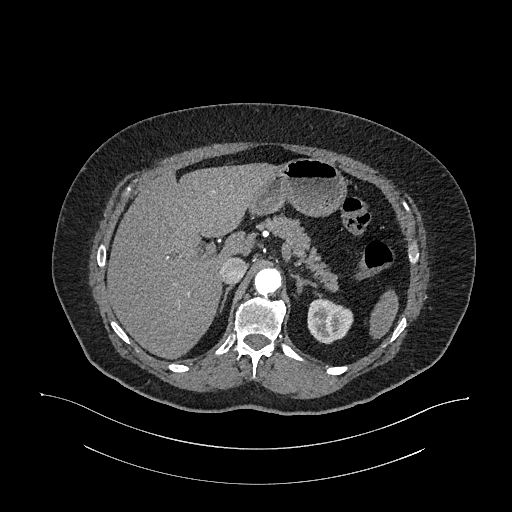
One axial slice (779 of 987, counting up from the lowest) of an arterial-phase abdominal CT acquired with 120 kVp, kernel I26f; each pixel is 0.977 mm and the slice is 1.00 mm thick.
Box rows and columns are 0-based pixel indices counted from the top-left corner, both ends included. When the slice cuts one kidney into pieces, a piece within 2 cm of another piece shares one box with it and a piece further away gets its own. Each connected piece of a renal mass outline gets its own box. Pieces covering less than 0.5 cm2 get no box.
Left kidney at rows 298–344, columns 307–353 (outlined area 1,623 px, about 15.5 cm2). This slice carries no renal mass outline.